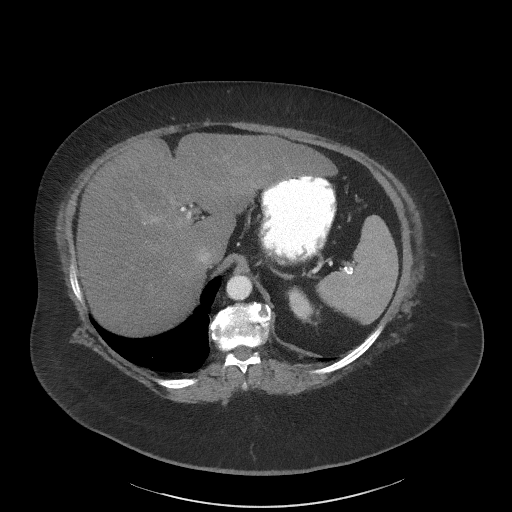
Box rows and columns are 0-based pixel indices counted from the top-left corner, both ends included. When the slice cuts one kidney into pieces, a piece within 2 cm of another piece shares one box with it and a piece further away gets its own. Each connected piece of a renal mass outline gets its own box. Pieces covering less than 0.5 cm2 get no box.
This is axial slice 56 of 61 (slice 1 is the lowest) of an arterial-phase abdominal CT with contrast; each pixel is 0.947 mm and the slice is 3.00 mm thick. Left kidney, box rows 287–322, columns 287–316 (outlined area 672 px, about 6.0 cm2). No renal mass outline on this slice.
Tube voltage 140 kVp; convolution kernel I41f.